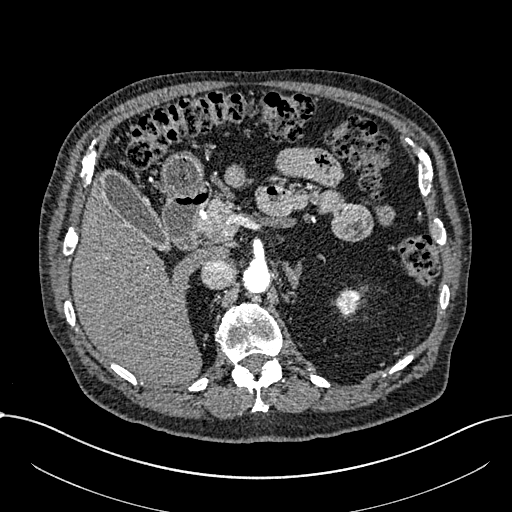
Arterial-phase contrast-enhanced abdominal CT, axial slice 469 of 1059 (counted from the lowest slice); tube voltage 100 kVp, convolution kernel I30f; slices 1.00 mm thick, 0.811 mm per pixel.
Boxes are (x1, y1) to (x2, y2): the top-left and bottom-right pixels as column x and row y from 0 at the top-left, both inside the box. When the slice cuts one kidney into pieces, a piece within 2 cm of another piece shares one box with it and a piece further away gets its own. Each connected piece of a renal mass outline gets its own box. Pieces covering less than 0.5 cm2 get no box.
Left part of the midline-crossing kidney from (335, 289) to (360, 317) (outlined area 524 px, about 3.4 cm2). No renal mass is outlined on this slice.